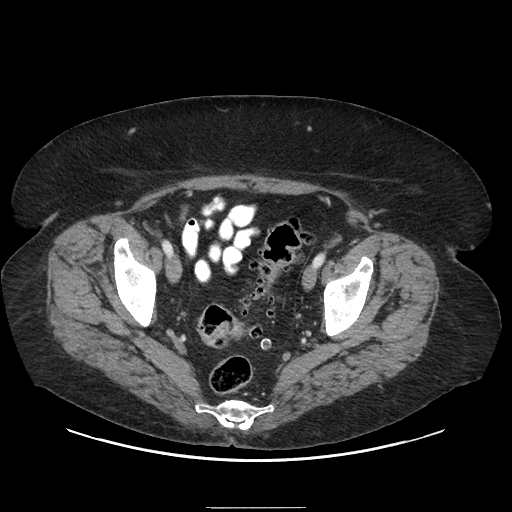
This is axial slice 45 of 186 (slice 1 is the lowest) of an abdominal CT with contrast; each pixel is 0.850 mm and the slice is 2.50 mm thick. Neither a kidney nor a renal mass is outlined here. Only kidneys and renal masses are outlined anywhere in this scan; other structures are never outlined.
Tube voltage 120 kVp; convolution kernel STANDARD.